Contrast-enhanced abdominal CT, axial slice 23 of 76 (counted from the lowest slice); tube voltage 120 kVp, convolution kernel B; slices 3.00 mm thick, 0.684 mm per pixel.
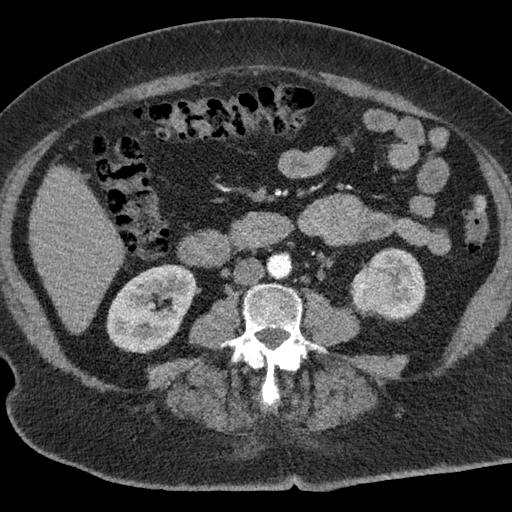
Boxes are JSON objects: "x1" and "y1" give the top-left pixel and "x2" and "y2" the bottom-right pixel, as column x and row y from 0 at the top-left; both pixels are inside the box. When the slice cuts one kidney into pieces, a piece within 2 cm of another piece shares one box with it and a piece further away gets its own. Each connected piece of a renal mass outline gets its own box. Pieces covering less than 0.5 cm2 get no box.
Boxed on this slice (two kidney boxes and one renal mass box), listed by box centre from the image's left to its right: (1) Right kidney at {"x1": 106, "y1": 264, "x2": 197, "y2": 353} (outlined area 5,823 px, about 27.2 cm2). (2) Left renal mass, box {"x1": 350, "y1": 260, "x2": 394, "y2": 312} (outlined area 1,650 px, about 7.7 cm2). (3) Left kidney, box {"x1": 359, "y1": 247, "x2": 425, "y2": 321} (outlined area 2,643 px, about 12.4 cm2).